One axial slice (127 of 178, counting up from the lowest) of a contrast-enhanced abdominal CT acquired with 100 kVp, kernel I30f; each pixel is 0.650 mm and the slice is 5.00 mm thick.
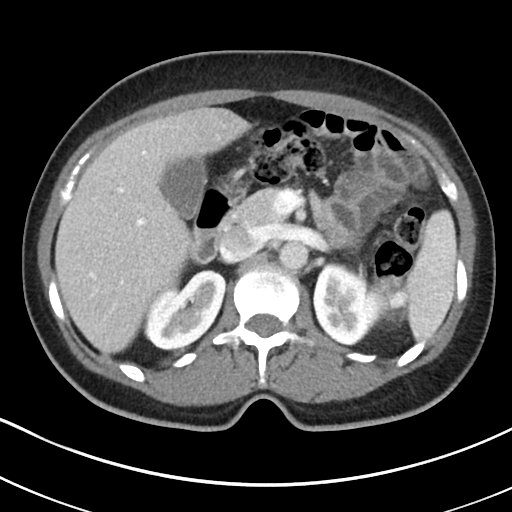
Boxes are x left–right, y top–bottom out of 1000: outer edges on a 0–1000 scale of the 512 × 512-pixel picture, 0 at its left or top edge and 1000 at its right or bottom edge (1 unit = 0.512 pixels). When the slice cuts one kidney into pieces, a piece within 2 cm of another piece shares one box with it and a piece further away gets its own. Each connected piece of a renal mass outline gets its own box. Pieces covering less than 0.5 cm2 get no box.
Boxed on this slice (two kidney boxes and one renal mass box), listed by box centre from the image's left to its right: (1) Right kidney at x 279–441, y 525–686 out of 1000 (outlined area 4,562 px, about 19.3 cm2). (2) Left kidney, box x 609–758, y 514–676 out of 1000 (outlined area 4,025 px, about 17.0 cm2). (3) Box x 721–799, y 537–635 out of 1000: left renal mass (outlined area 1,557 px, about 6.6 cm2).